Arterial-phase contrast-enhanced abdominal CT, axial slice 123 of 285 (counted from the lowest slice); tube voltage 120 kVp, convolution kernel B31f; slices 2.00 mm thick, 0.762 mm per pixel.
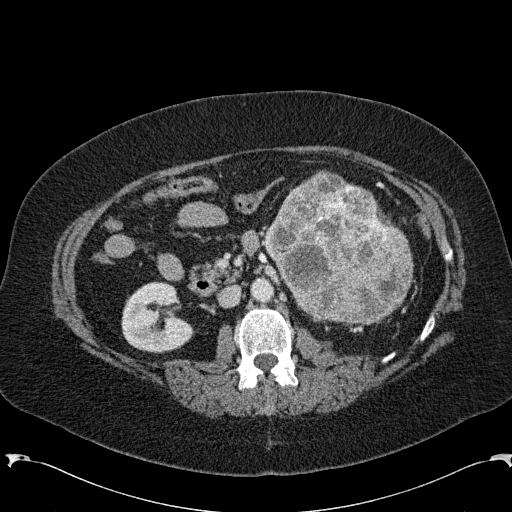
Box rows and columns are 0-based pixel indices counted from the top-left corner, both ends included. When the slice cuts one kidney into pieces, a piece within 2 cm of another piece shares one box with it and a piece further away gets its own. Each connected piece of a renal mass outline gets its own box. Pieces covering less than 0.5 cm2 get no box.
Two boxes on this slice (one kidney box and one renal mass box), listed by box centre from the image's left to its right. (1) Right kidney at rows 281–353, columns 121–195 (outlined area 3,843 px, about 22.3 cm2). (2) Box rows 170–326, columns 263–413: left renal mass (outlined area 16,529 px, about 95.9 cm2); it sits over 1 cm from every kidney outline on this slice, but the same outlined renal mass comes within 1 cm of the kidney on another slice.